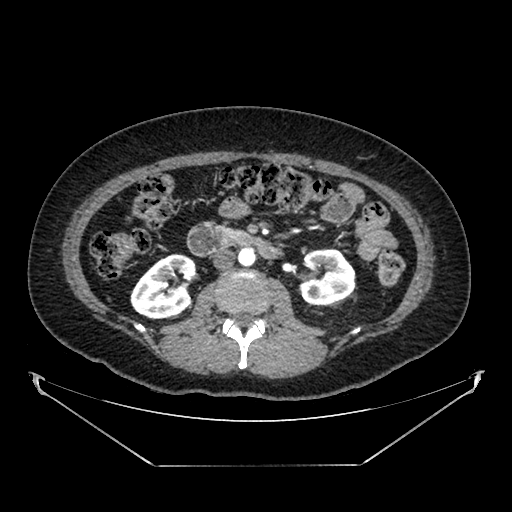
Arterial-phase contrast-enhanced abdominal CT, axial slice 215 of 383 (counted from the lowest slice); tube voltage 100 kVp, convolution kernel SOFT; slices 1.25 mm thick, 0.898 mm per pixel.
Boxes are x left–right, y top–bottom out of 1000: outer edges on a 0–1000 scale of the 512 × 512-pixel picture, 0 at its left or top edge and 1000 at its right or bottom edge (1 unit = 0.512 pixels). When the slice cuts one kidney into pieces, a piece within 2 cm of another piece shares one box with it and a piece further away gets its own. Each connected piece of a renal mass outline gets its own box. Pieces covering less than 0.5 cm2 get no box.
Two kidney boxes on this slice; by box centre, from the image's left to its right: (1) Box x 254–385, y 494–625 out of 1000: right kidney (outlined area 3,144 px, about 25.4 cm2). (2) Left kidney at x 582–695, y 486–598 out of 1000 (outlined area 2,641 px, about 21.3 cm2). No renal mass is outlined on this slice.